One axial slice (68 of 195, counting up from the lowest) of an arterial-phase abdominal CT acquired with 100 kVp, kernel I31f; each pixel is 0.707 mm and the slice is 1.50 mm thick.
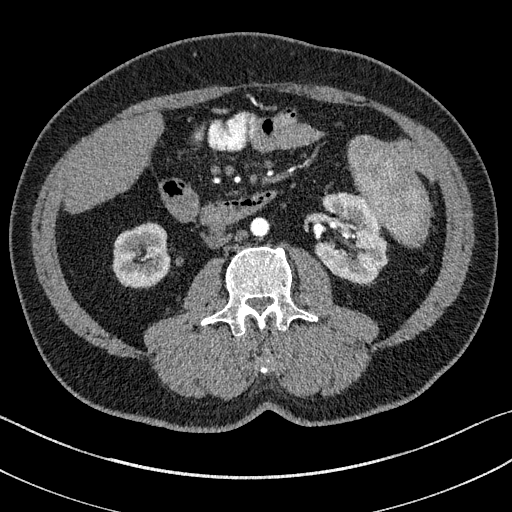
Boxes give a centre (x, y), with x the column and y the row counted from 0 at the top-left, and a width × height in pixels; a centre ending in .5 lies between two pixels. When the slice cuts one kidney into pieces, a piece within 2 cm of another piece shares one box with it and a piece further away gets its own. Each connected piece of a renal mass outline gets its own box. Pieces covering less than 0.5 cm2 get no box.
Two kidney boxes on this slice; by box centre, from the image's left to its right: (1) Right kidney, box centre (141.5, 255), 58 × 65 pixels (outlined area 3,010 px, about 15.0 cm2). (2) Box centre (350.5, 238), 74 × 93 pixels: left kidney (outlined area 4,713 px, about 23.6 cm2). No renal mass outline on this slice.